Arterial-phase contrast-enhanced abdominal CT, axial slice 360 of 541 (counted from the lowest slice); tube voltage 120 kVp, convolution kernel I30f; slices 1.00 mm thick, 0.834 mm per pixel.
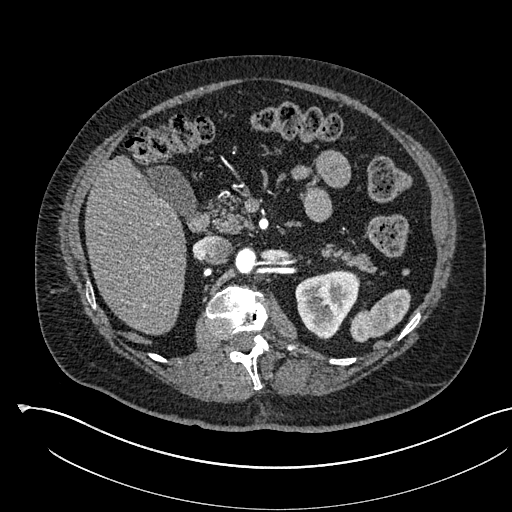
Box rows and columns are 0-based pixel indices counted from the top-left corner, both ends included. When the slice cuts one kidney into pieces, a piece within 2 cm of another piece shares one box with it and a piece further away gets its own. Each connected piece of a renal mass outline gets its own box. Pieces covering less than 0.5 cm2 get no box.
Box rows 269–339, columns 295–360: left kidney (outlined area 3,235 px, about 22.5 cm2). No renal mass is outlined on this slice.